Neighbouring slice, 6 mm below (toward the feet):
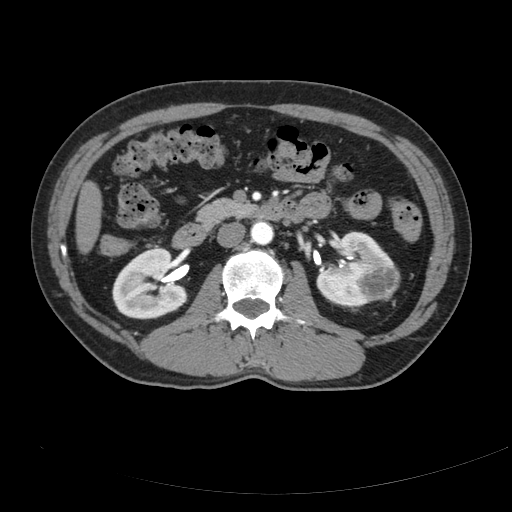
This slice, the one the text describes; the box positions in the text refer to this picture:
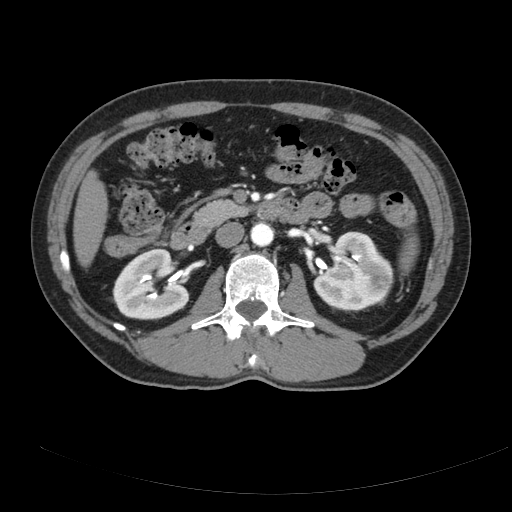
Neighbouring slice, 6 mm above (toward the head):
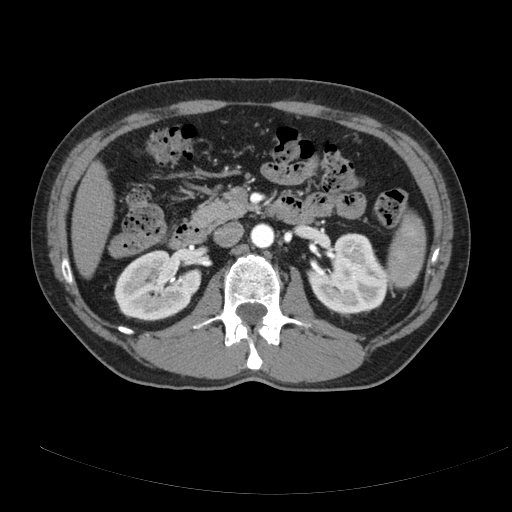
Contrast-enhanced abdominal CT, axial slice 109 of 178 (counted from the lowest slice); tube voltage 120 kVp, convolution kernel B; slices 3.00 mm thick, 0.818 mm per pixel.
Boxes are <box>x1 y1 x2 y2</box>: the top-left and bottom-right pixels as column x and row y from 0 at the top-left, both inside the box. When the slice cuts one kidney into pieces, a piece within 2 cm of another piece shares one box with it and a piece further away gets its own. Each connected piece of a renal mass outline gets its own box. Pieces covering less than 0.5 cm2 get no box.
Two kidney boxes and one renal mass box on this slice; by box centre, from the image's left to its right: (1) At <box>112 248 189 319</box>: right kidney (outlined area 4,043 px, about 27.1 cm2). (2) Left kidney at <box>313 231 393 311</box> (outlined area 4,350 px, about 29.1 cm2). (3) Left renal mass: <box>367 275 386 292</box> (outlined area 276 px, about 1.8 cm2). This slice is near the end of the left renal mass toward the head, so the slices 6 mm below and 6 mm above it are shown as well; the boxes refer to this slice only.